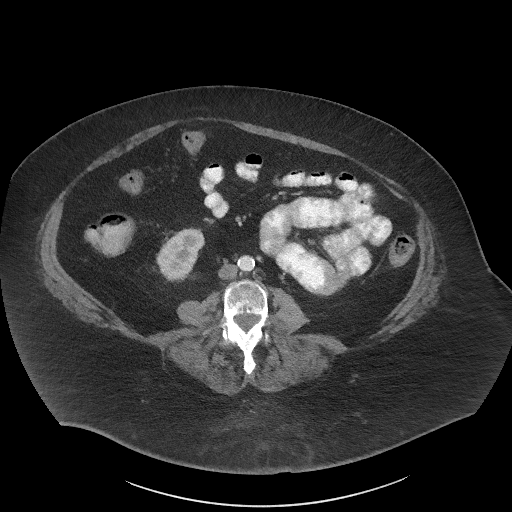
One axial slice (11 of 61, counting up from the lowest) of an arterial-phase abdominal CT acquired with 140 kVp, kernel I41f; each pixel is 0.947 mm and the slice is 3.00 mm thick.
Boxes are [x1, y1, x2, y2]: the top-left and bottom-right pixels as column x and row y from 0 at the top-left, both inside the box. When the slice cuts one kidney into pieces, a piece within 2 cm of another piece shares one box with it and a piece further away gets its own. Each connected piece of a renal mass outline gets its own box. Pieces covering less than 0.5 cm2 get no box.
Right kidney at [156, 227, 204, 282] (outlined area 1,856 px, about 16.7 cm2). This slice carries no renal mass outline.